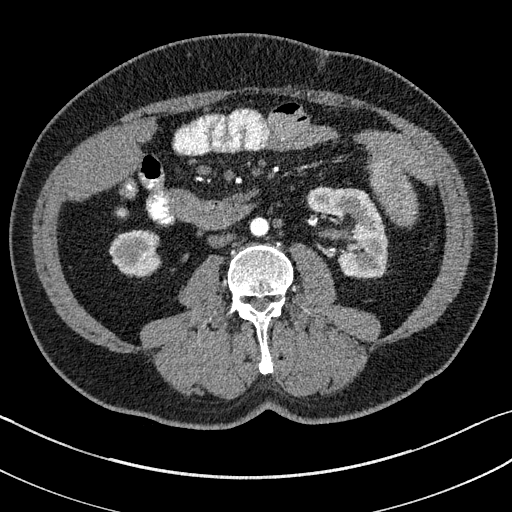
Axial slice 62 of 195 of a contrast-enhanced abdominal CT in the arterial phase (slice 1 is the lowest), 100 kVp, kernel I31f; 1.50 mm slice thickness and 0.707 mm pixels.
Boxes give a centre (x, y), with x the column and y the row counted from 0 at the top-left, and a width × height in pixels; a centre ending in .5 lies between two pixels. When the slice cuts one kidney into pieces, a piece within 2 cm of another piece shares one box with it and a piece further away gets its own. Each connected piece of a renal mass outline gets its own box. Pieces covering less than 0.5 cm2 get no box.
Boxed on this slice (two kidney boxes), listed by box centre from the image's left to its right: (1) Box centre (134.5, 253), 52 × 47 pixels: right kidney (outlined area 1,894 px, about 9.5 cm2). (2) Left kidney, box centre (347, 232), 81 × 93 pixels (outlined area 4,697 px, about 23.5 cm2). No renal mass outline on this slice.